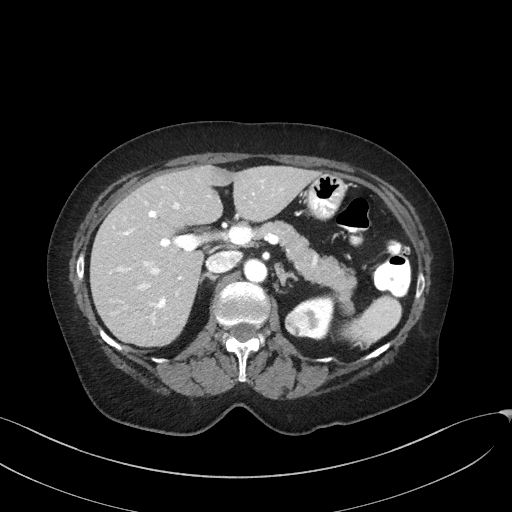
Arterial-phase contrast-enhanced abdominal CT, axial slice 101 of 129 (counted from the lowest slice); tube voltage 100 kVp, convolution kernel I41f; slices 3.00 mm thick, 0.779 mm per pixel.
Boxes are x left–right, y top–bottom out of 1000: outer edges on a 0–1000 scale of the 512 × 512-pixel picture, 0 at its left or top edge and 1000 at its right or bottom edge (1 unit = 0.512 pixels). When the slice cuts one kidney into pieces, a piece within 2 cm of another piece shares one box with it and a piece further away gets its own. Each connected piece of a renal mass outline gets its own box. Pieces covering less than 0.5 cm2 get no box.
Two boxes on this slice (one kidney box and one renal mass box), listed by box centre from the image's left to its right. (1) Left renal mass, box x 557–607, y 605–658 out of 1000 (outlined area 554 px, about 3.4 cm2). (2) Left kidney, box x 572–656, y 574–662 out of 1000 (outlined area 1,112 px, about 6.8 cm2).